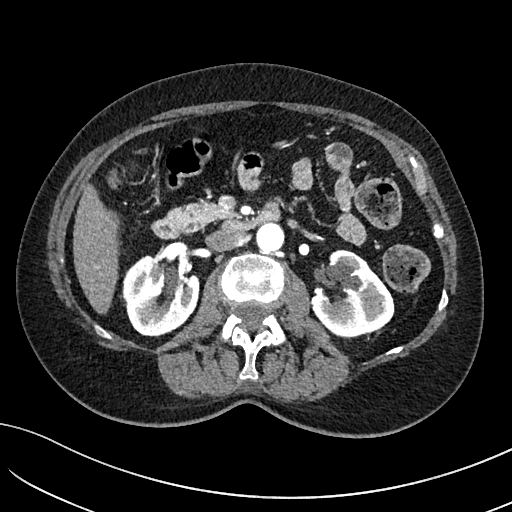
One axial slice (65 of 234, counting up from the lowest) of an arterial-phase abdominal CT acquired with 100 kVp, kernel I40f; each pixel is 0.699 mm and the slice is 2.00 mm thick.
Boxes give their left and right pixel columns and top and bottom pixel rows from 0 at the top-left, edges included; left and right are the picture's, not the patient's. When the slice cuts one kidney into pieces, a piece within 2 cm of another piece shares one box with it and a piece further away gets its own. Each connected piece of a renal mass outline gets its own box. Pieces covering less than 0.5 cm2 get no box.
Two kidney boxes on this slice; by box centre, from the image's left to its right: (1) Box with left 122, top 255, right 199, bottom 336: right kidney (outlined area 4,720 px, about 23.1 cm2). (2) Left kidney, the box with left 310, top 249, right 394, bottom 337 (outlined area 5,120 px, about 25.0 cm2). This slice carries no renal mass outline.